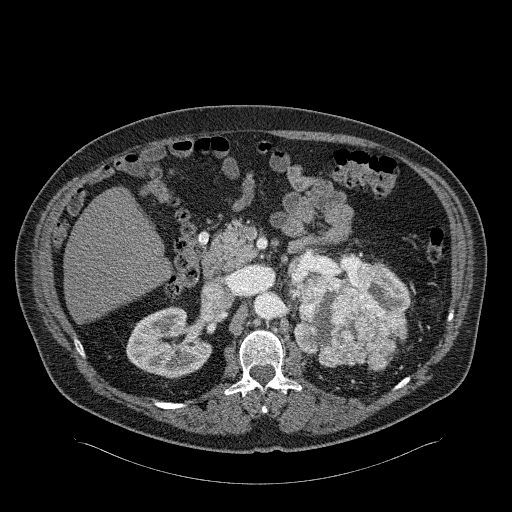
Axial slice 148 of 326 of a contrast-enhanced abdominal CT in the arterial phase (slice 1 is the lowest), 120 kVp, kernel B31f; 2.00 mm slice thickness and 0.963 mm pixels.
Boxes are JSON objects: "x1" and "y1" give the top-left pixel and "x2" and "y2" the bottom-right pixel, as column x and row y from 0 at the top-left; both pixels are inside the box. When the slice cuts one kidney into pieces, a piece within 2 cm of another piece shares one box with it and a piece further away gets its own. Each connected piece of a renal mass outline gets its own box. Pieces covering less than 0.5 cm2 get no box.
Boxed on this slice (two kidney boxes and one renal mass box), listed by box centre from the image's left to its right: (1) Box {"x1": 126, "y1": 306, "x2": 212, "y2": 378}: right kidney (outlined area 4,376 px, about 40.6 cm2). (2) Left renal mass, box {"x1": 293, "y1": 262, "x2": 407, "y2": 369} (outlined area 8,304 px, about 77.0 cm2). (3) Left kidney, box {"x1": 369, "y1": 262, "x2": 410, "y2": 310} (outlined area 1,335 px, about 12.4 cm2).